One axial slice (14 of 51, counting up from the lowest) of a contrast-enhanced abdominal CT acquired with 120 kVp, kernel B31f; each pixel is 0.865 mm and the slice is 5.00 mm thick.
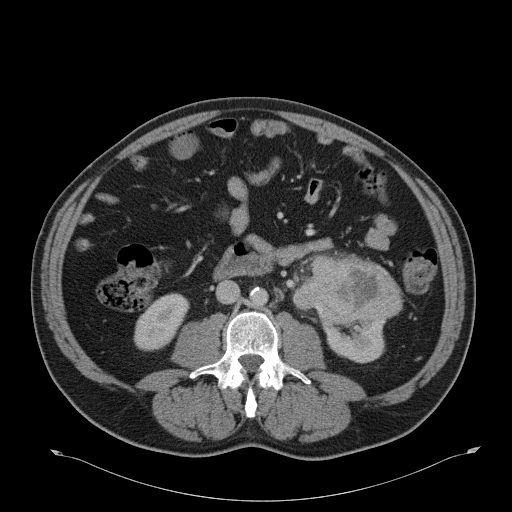
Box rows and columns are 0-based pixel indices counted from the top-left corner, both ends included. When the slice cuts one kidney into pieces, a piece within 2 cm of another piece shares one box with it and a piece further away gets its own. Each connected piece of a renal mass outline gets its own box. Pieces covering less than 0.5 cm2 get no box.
Three boxes on this slice (two kidney boxes and one renal mass box), listed by box centre from the image's left to its right. (1) Box rows 293–351, columns 133–189: right kidney (outlined area 2,197 px, about 16.4 cm2). (2) Box rows 255–325, columns 292–402: left renal mass (outlined area 5,729 px, about 42.9 cm2). (3) Left kidney, box rows 321–363, columns 321–386 (outlined area 2,023 px, about 15.1 cm2).